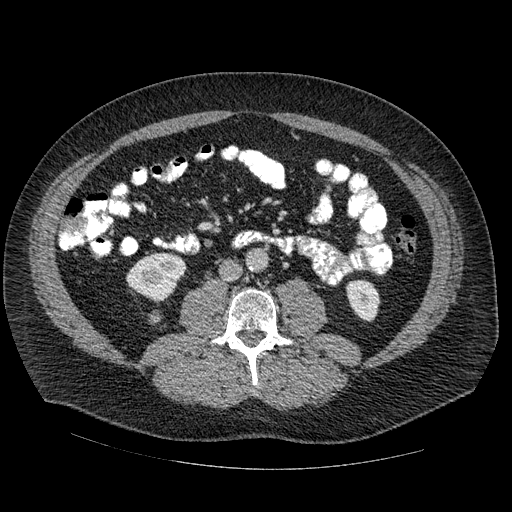
One axial slice (238 of 445, counting up from the lowest) of an arterial-phase abdominal CT acquired with 120 kVp, kernel STANDARD; each pixel is 0.863 mm and the slice is 1.25 mm thick.
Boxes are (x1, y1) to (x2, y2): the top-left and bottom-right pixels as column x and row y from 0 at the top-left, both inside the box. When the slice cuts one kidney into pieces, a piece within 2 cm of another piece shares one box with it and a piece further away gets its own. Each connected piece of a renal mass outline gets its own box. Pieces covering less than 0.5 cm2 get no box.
Boxed on this slice (two kidney boxes), listed by box centre from the image's left to its right: (1) Right kidney from (126, 253) to (186, 303) (outlined area 2,168 px, about 16.2 cm2). (2) Left kidney from (347, 279) to (380, 322) (outlined area 1,064 px, about 7.9 cm2). No renal mass outline on this slice.